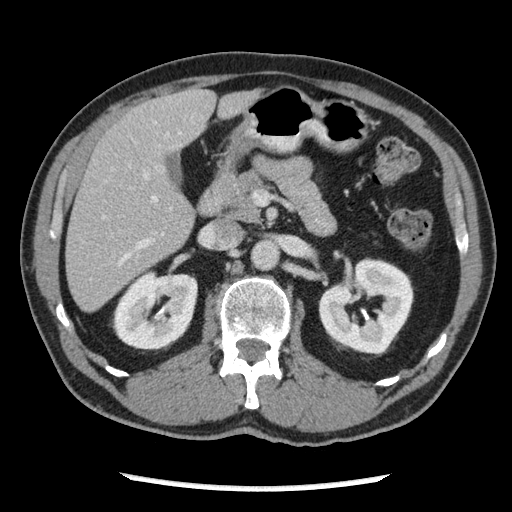
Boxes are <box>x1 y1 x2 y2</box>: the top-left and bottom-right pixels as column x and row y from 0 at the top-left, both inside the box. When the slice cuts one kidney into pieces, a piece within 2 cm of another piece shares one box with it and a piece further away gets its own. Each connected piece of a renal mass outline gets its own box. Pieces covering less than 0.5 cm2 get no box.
Arterial-phase contrast-enhanced abdominal CT, axial slice 130 of 262 (counted from the lowest slice); 2.50 mm thick, 0.703 mm per pixel. Boxed on this slice (two kidney boxes), listed by box centre from the image's left to its right: (1) Right kidney at <box>111 270 197 350</box> (outlined area 5,264 px, about 26.0 cm2). (2) Left kidney at <box>318 257 413 354</box> (outlined area 6,411 px, about 31.7 cm2). No renal mass outline on this slice.
Scan settings: 120 kVp, STANDARD reconstruction kernel.